Abdominal CT with intravenous contrast, arterial phase, axial plane, 120 kVp, kernel B30f. Slice 195/538 from the bottom of the scan; thickness 1.00 mm; pixel size 0.811 mm.
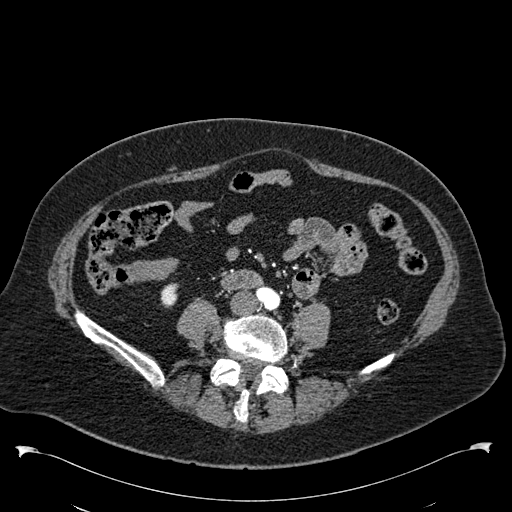
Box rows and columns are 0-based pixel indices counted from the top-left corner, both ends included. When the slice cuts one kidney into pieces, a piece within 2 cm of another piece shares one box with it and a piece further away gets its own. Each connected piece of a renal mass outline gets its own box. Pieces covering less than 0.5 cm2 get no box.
Right kidney at rows 283–307, columns 160–178 (outlined area 356 px, about 2.3 cm2). No renal mass outline on this slice.